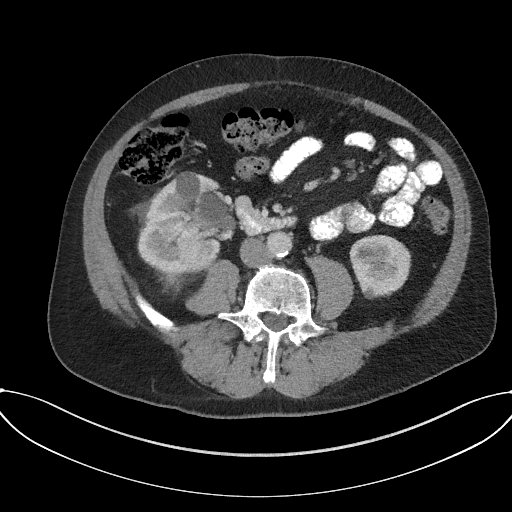
One axial slice (77 of 227, counting up from the lowest) of an arterial-phase abdominal CT acquired with 120 kVp, kernel I31f; each pixel is 0.816 mm and the slice is 3.00 mm thick.
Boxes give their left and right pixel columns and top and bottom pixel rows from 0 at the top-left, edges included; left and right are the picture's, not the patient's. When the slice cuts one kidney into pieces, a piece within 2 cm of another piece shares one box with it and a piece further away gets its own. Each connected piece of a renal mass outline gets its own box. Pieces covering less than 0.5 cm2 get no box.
Two kidney boxes and one renal mass box on this slice; by box centre, from the image's left to its right: (1) Right renal mass in the box with left 152, top 207, right 205, bottom 279 (outlined area 2,817 px, about 18.8 cm2). (2) Box with left 137, top 171, right 237, bottom 278: right kidney (outlined area 4,296 px, about 28.6 cm2). (3) Left kidney in the box with left 349, top 235, right 411, bottom 299 (outlined area 3,063 px, about 20.4 cm2).